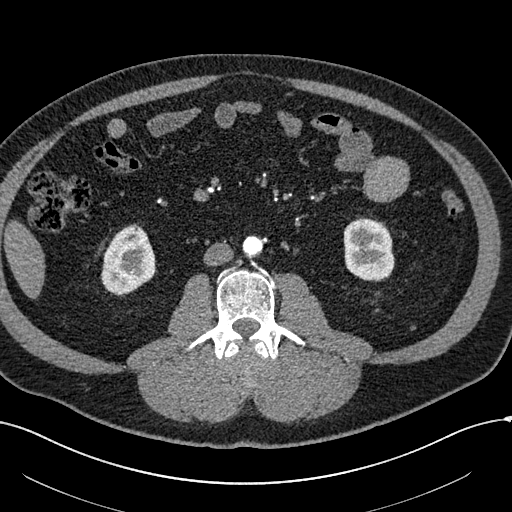
One axial slice (239 of 602, counting up from the lowest) of an arterial-phase abdominal CT acquired with 120 kVp, kernel I30f; each pixel is 0.799 mm and the slice is 1.00 mm thick.
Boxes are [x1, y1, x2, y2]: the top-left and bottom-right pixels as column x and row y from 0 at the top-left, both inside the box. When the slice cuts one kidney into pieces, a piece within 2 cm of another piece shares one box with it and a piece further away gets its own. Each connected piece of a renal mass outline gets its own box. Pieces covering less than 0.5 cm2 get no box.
Two kidney boxes and one renal mass box on this slice; by box centre, from the image's left to its right: (1) Right renal mass, box [106, 257, 120, 271] (outlined area 168 px, about 1.1 cm2). (2) Right kidney, box [101, 224, 156, 296] (outlined area 2,746 px, about 17.5 cm2). (3) Left kidney at [343, 217, 394, 281] (outlined area 2,736 px, about 17.5 cm2).